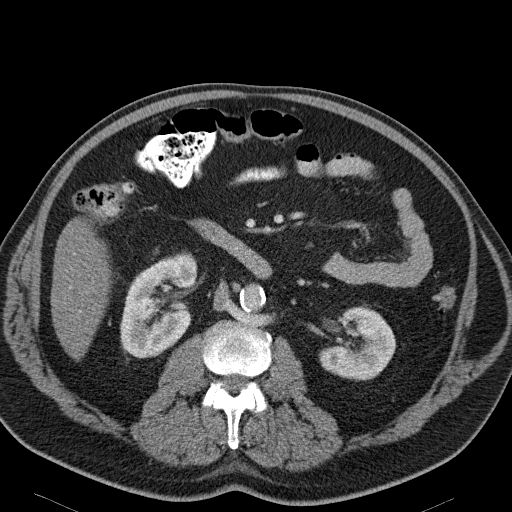
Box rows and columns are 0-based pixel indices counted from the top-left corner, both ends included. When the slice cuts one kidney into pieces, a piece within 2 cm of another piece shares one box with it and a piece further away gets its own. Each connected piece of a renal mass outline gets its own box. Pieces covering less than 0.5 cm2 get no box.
This is axial slice 76 of 114 (slice 1 is the lowest) of an arterial-phase abdominal CT with contrast; each pixel is 0.781 mm and the slice is 5.00 mm thick. Boxed on this slice (two kidney boxes), listed by box centre from the image's left to its right: (1) Box rows 253–358, columns 120–197: right kidney (outlined area 5,836 px, about 35.6 cm2). (2) Box rows 306–380, columns 318–396: left kidney (outlined area 3,982 px, about 24.3 cm2). No renal mass is outlined on this slice.
Scan settings: 120 kVp, B31f reconstruction kernel.